Axial slice 45 of 69 of a contrast-enhanced abdominal CT in the arterial phase (slice 1 is the lowest), 120 kVp, kernel I40f; 3.00 mm slice thickness and 0.664 mm pixels.
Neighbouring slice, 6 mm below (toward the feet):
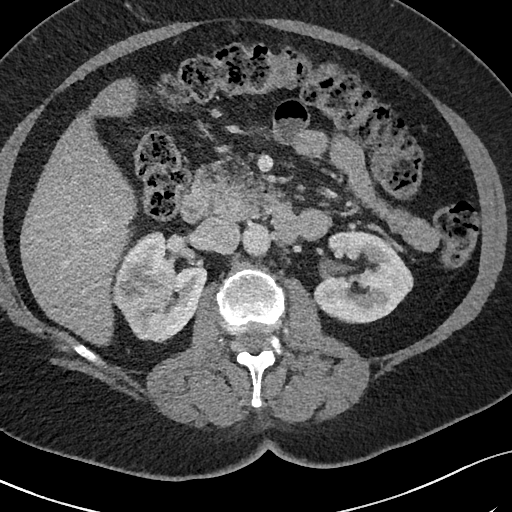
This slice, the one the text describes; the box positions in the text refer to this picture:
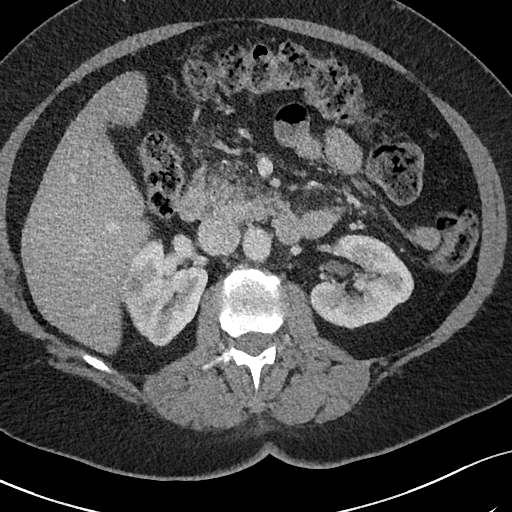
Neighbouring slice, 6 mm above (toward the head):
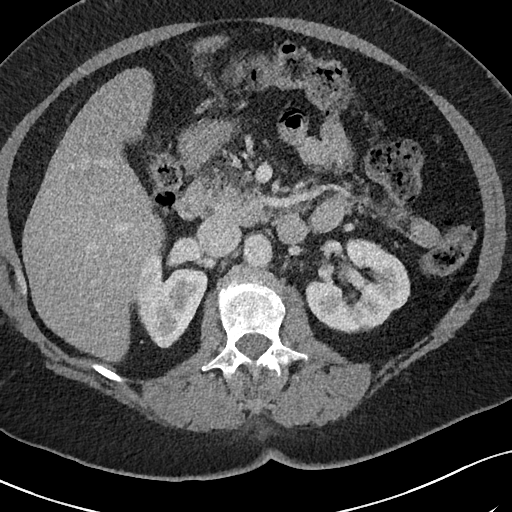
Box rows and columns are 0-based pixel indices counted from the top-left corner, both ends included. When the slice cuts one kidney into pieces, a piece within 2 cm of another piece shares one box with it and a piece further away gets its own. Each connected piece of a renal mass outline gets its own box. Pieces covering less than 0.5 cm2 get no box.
Three boxes on this slice (two kidney boxes and one renal mass box), listed by box centre from the image's left to its right. (1) Right renal mass, box rows 289–303, columns 123–138 (outlined area 204 px, about 0.9 cm2). (2) Right kidney at rows 239–346, columns 121–208 (outlined area 6,124 px, about 27.0 cm2). (3) Left kidney at rows 234–329, columns 308–413 (outlined area 6,774 px, about 29.9 cm2). This slice is near the end of the right renal mass toward the head, so the slices 6 mm below and 6 mm above it are shown as well; the boxes refer to this slice only.